Contrast-enhanced abdominal CT, axial slice 50 of 103 (counted from the lowest slice); tube voltage 120 kVp, convolution kernel STANDARD; slices 2.50 mm thick, 0.820 mm per pixel.
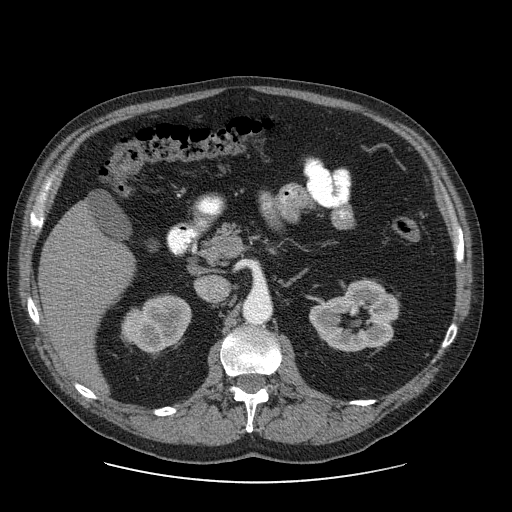
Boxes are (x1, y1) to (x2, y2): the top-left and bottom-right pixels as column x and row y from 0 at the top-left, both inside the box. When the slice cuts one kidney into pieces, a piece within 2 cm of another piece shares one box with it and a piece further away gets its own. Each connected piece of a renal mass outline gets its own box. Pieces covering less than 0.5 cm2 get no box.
Boxed on this slice (two kidney boxes), listed by box centre from the image's left to its right: (1) Right kidney, box (121, 294) to (191, 353) (outlined area 2,948 px, about 19.8 cm2). (2) Left kidney from (309, 280) to (399, 352) (outlined area 4,351 px, about 29.3 cm2). This slice carries no renal mass outline.